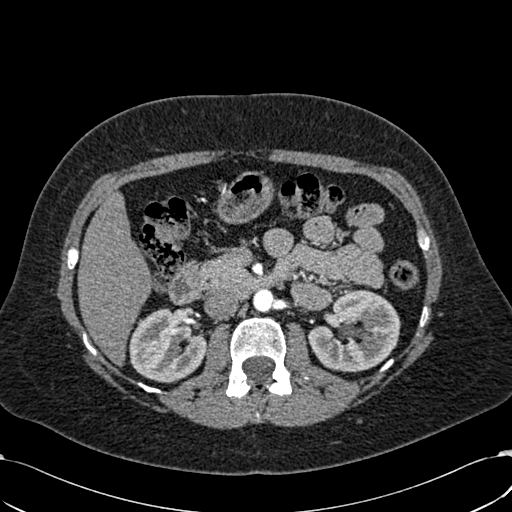
Arterial-phase contrast-enhanced abdominal CT, axial slice 372 of 532 (counted from the lowest slice); tube voltage 120 kVp, convolution kernel B30f; slices 1.00 mm thick, 0.713 mm per pixel.
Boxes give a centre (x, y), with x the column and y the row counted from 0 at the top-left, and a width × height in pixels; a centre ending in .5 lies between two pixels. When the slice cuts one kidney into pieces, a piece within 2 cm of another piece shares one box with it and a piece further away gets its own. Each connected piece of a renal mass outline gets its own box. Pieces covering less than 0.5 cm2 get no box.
Two boxes on this slice (two kidney boxes), listed by box centre from the image's left to its right. (1) Right kidney, box centre (167.5, 345), 78 × 77 pixels (outlined area 4,252 px, about 21.6 cm2). (2) Left kidney, box centre (354, 330.5), 93 × 84 pixels (outlined area 5,494 px, about 27.9 cm2). No renal mass is outlined on this slice.